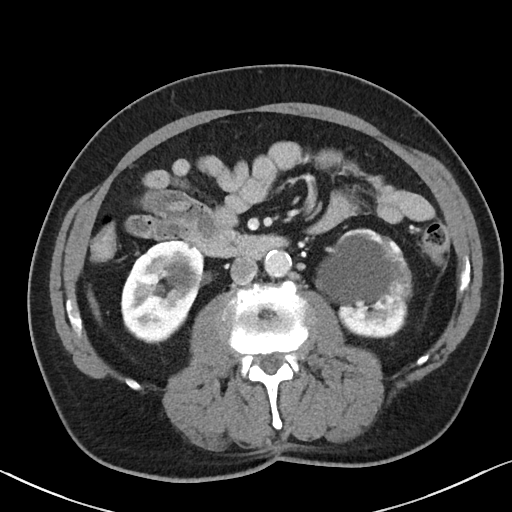
Axial slice 54 of 90 of a contrast-enhanced abdominal CT (slice 1 is the lowest), 100 kVp, kernel I40f; 5.00 mm slice thickness and 0.684 mm pixels.
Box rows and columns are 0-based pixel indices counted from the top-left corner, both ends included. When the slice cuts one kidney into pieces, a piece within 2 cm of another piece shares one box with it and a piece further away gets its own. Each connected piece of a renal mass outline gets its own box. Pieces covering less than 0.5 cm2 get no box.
Boxed on this slice (two kidney boxes), listed by box centre from the image's left to its right: (1) Right kidney at rows 240–343, columns 120–211 (outlined area 6,506 px, about 30.4 cm2). (2) Box rows 228–337, columns 315–412: left kidney (outlined area 7,788 px, about 36.4 cm2). This slice carries no renal mass outline.